Arterial-phase contrast-enhanced abdominal CT, axial slice 110 of 164 (counted from the lowest slice); tube voltage 130 kVp, convolution kernel B30s; slices 3.00 mm thick, 0.664 mm per pixel.
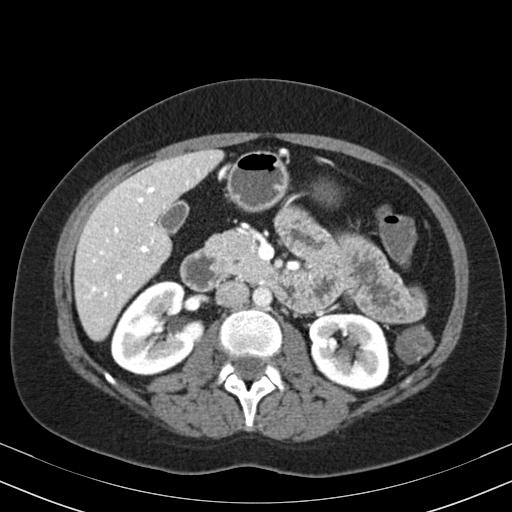
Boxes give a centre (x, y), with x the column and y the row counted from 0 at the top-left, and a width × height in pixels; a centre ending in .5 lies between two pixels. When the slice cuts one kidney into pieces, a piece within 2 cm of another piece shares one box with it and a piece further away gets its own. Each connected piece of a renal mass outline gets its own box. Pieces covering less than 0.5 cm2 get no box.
Two boxes on this slice (two kidney boxes), listed by box centre from the image's left to its right. (1) Right kidney, box centre (157, 327.5), 95 × 96 pixels (outlined area 6,259 px, about 27.6 cm2). (2) Left kidney in a box with centre (349, 351.5), 81 × 78 pixels (outlined area 5,053 px, about 22.3 cm2). This slice carries no renal mass outline.